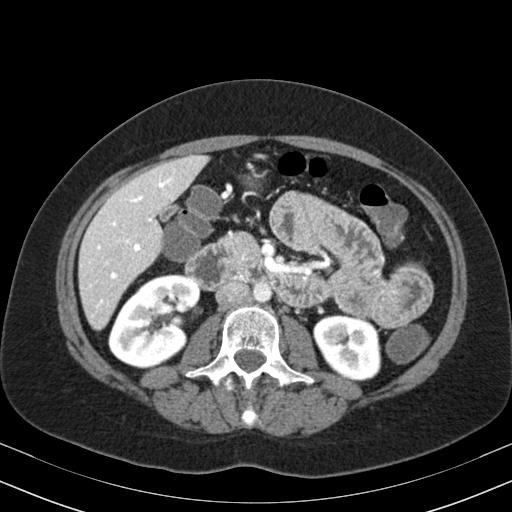
Axial slice 105 of 164 of a contrast-enhanced abdominal CT in the arterial phase (slice 1 is the lowest), 130 kVp, kernel B30s; 3.00 mm slice thickness and 0.664 mm pixels.
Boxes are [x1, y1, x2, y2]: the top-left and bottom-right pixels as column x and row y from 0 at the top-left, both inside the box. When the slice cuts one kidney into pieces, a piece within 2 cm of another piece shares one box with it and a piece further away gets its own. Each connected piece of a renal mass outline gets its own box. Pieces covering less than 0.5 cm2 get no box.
Boxed on this slice (two kidney boxes), listed by box centre from the image's left to its right: (1) Right kidney, box [108, 273, 200, 368] (outlined area 6,061 px, about 26.7 cm2). (2) Box [313, 314, 379, 380]: left kidney (outlined area 3,486 px, about 15.4 cm2). No renal mass is outlined on this slice.